Abdominal CT with intravenous contrast, arterial phase, axial plane, 100 kVp, kernel I40f. Slice 69/270 from the bottom of the scan; thickness 2.00 mm; pixel size 0.855 mm.
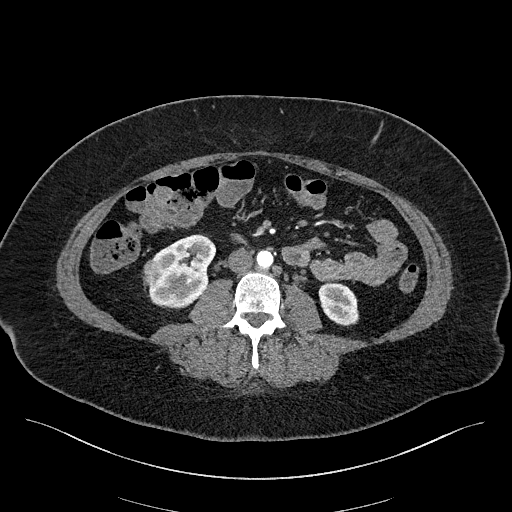
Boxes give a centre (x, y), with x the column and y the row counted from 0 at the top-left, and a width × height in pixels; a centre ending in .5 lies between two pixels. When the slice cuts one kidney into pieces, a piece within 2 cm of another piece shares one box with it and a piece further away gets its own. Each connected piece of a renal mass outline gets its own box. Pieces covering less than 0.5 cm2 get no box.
Three boxes on this slice (two kidney boxes and one renal mass box), listed by box centre from the image's left to its right. (1) Right renal mass in a box with centre (152.5, 272), 18 × 27 pixels (outlined area 372 px, about 2.7 cm2). (2) Right kidney in a box with centre (182, 270.5), 69 × 74 pixels (outlined area 3,480 px, about 25.5 cm2). (3) Box centre (338, 304), 41 × 45 pixels: left kidney (outlined area 1,382 px, about 10.1 cm2).